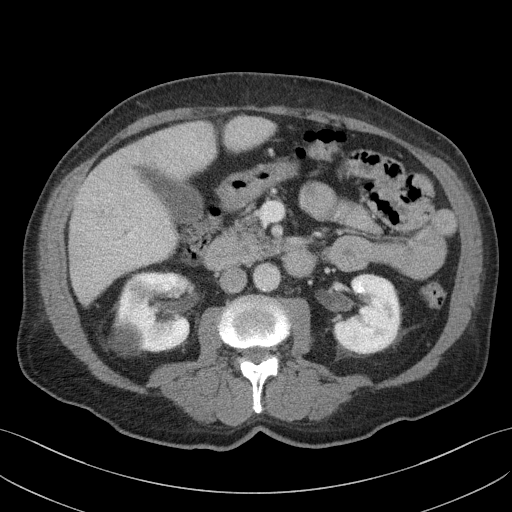
Axial slice 67 of 103 of a contrast-enhanced abdominal CT (slice 1 is the lowest), 100 kVp, kernel I41f; 4.00 mm slice thickness and 0.742 mm pixels.
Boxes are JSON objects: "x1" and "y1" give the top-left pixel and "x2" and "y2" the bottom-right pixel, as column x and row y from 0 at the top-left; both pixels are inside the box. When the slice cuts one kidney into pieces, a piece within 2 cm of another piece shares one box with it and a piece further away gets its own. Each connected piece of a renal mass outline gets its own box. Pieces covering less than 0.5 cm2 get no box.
Two boxes on this slice (two kidney boxes), listed by box centre from the image's left to its right. (1) Right kidney at {"x1": 107, "y1": 272, "x2": 190, "y2": 355} (outlined area 5,576 px, about 30.7 cm2). (2) Box {"x1": 333, "y1": 274, "x2": 399, "y2": 354}: left kidney (outlined area 4,101 px, about 22.6 cm2). No renal mass outline on this slice.